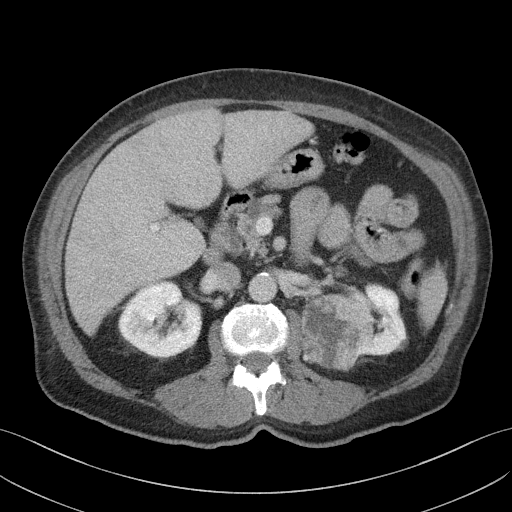
Abdominal CT with intravenous contrast, axial plane, 100 kVp, kernel I41f. Slice 74/103 from the bottom of the scan; thickness 4.00 mm; pixel size 0.742 mm.
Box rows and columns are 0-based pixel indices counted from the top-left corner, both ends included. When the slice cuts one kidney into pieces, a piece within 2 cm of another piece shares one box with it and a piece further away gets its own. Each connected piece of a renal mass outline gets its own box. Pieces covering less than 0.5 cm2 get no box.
Two kidney boxes and one renal mass box on this slice; by box centre, from the image's left to its right: (1) Right kidney at rows 280–357, columns 118–202 (outlined area 4,828 px, about 26.6 cm2). (2) Left renal mass at rows 292–371, columns 301–369 (outlined area 4,363 px, about 24.0 cm2). (3) Box rows 282–355, columns 335–408: left kidney (outlined area 2,852 px, about 15.7 cm2).